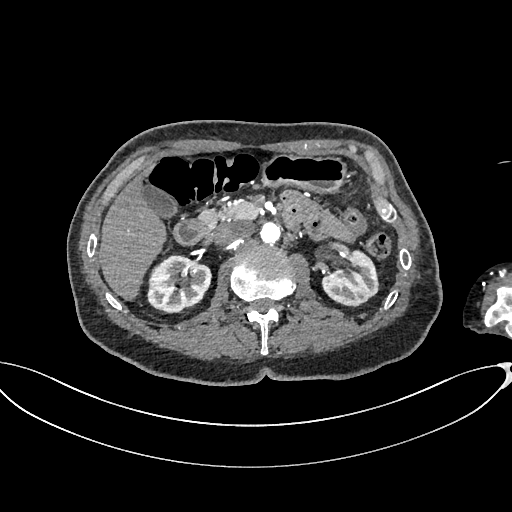
Arterial-phase contrast-enhanced abdominal CT, axial slice 413 of 665 (counted from the lowest slice); tube voltage 100 kVp, convolution kernel I26f; slices 1.00 mm thick, 0.828 mm per pixel.
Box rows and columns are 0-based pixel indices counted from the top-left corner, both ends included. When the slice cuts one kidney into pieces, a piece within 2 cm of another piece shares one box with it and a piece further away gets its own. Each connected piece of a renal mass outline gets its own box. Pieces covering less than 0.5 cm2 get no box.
Two kidney boxes on this slice; by box centre, from the image's left to its right: (1) Box rows 254–313, columns 147–211: right kidney (outlined area 2,935 px, about 20.1 cm2). (2) Left kidney, box rows 249–307, columns 321–379 (outlined area 2,340 px, about 16.0 cm2). This slice carries no renal mass outline.